Arterial-phase contrast-enhanced abdominal CT, axial slice 321 of 532 (counted from the lowest slice); tube voltage 120 kVp, convolution kernel B30f; slices 1.00 mm thick, 0.713 mm per pixel.
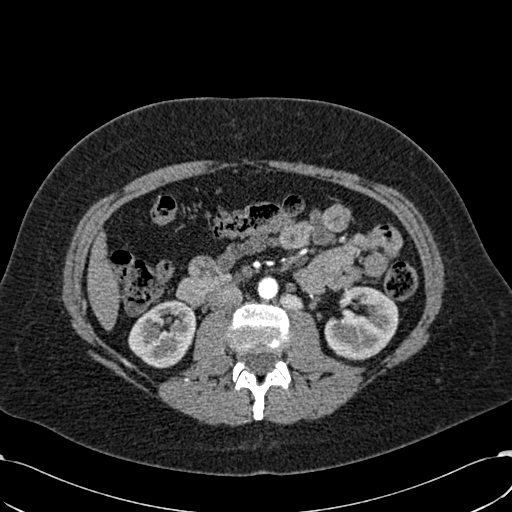
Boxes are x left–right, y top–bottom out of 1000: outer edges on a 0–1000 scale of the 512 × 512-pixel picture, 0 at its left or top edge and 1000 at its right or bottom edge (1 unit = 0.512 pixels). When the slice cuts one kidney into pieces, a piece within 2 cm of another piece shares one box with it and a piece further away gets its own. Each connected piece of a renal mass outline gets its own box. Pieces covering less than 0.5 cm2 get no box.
Boxed on this slice (two kidney boxes), listed by box centre from the image's left to its right: (1) Box x 250–385, y 586–721 out of 1000: right kidney (outlined area 3,403 px, about 17.3 cm2). (2) Left kidney, box x 633–779, y 559–705 out of 1000 (outlined area 4,015 px, about 20.4 cm2). No renal mass outline on this slice.